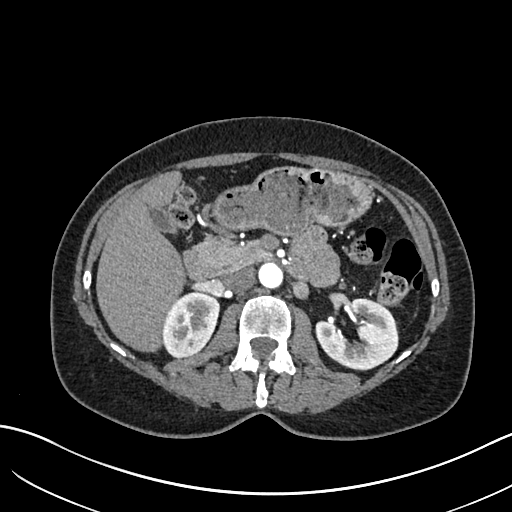
Arterial-phase contrast-enhanced abdominal CT, axial slice 392 of 683 (counted from the lowest slice); tube voltage 120 kVp, convolution kernel I30f; slices 1.00 mm thick, 0.738 mm per pixel.
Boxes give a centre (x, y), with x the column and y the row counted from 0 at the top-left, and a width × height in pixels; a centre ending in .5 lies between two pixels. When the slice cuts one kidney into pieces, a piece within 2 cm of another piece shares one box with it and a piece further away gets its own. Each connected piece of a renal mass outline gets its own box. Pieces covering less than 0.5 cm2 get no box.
Two kidney boxes on this slice; by box centre, from the image's left to its right: (1) Box centre (191, 324), 59 × 67 pixels: right kidney (outlined area 2,914 px, about 15.9 cm2). (2) Left kidney, box centre (357, 332.5), 83 × 72 pixels (outlined area 3,933 px, about 21.4 cm2). No renal mass outline on this slice.